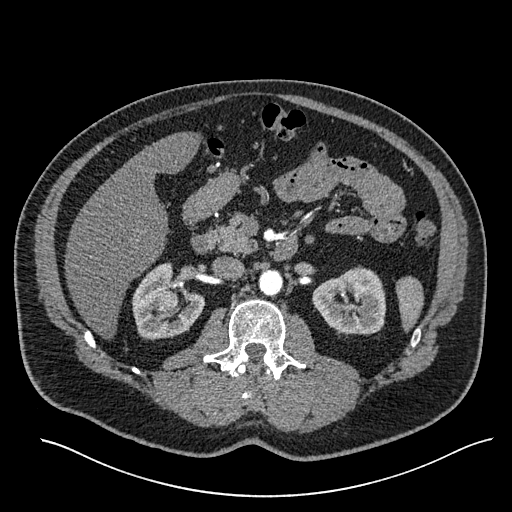
Arterial-phase contrast-enhanced abdominal CT, axial slice 344 of 527 (counted from the lowest slice); tube voltage 120 kVp, convolution kernel I30f; slices 1.00 mm thick, 0.859 mm per pixel.
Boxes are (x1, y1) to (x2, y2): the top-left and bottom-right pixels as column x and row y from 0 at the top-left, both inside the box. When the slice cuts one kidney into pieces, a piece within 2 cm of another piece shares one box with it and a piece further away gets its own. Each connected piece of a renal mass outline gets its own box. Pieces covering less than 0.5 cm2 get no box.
Boxed on this slice (two kidney boxes and one renal mass box), listed by box centre from the image's left to its right: (1) Right renal mass from (156, 289) to (177, 310) (outlined area 386 px, about 2.9 cm2). (2) Right kidney, box (131, 262) to (205, 340) (outlined area 3,461 px, about 25.6 cm2). (3) Box (312, 265) to (386, 336): left kidney (outlined area 3,824 px, about 28.2 cm2).